Abdominal CT with intravenous contrast, arterial phase, axial plane, 100 kVp, kernel SOFT. Slice 193/383 from the bottom of the scan; thickness 1.25 mm; pixel size 0.898 mm.
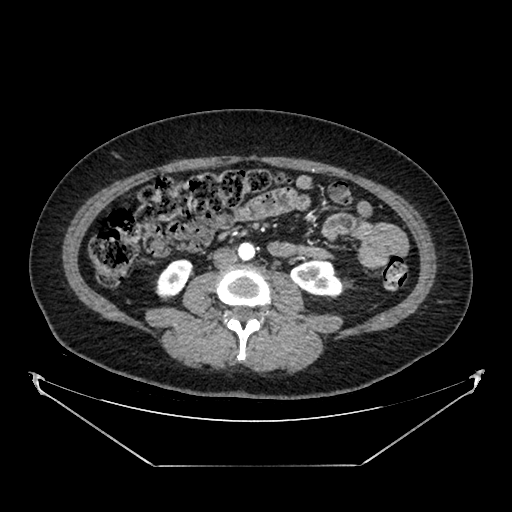
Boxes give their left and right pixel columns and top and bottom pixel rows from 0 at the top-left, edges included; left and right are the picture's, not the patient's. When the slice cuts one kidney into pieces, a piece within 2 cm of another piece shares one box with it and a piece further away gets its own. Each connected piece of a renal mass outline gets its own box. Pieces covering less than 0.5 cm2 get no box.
Two kidney boxes on this slice; by box centre, from the image's left to its right: (1) Box with left 155, top 259, right 192, bottom 299: right kidney (outlined area 1,034 px, about 8.3 cm2). (2) Left kidney in the box with left 290, top 260, right 341, bottom 297 (outlined area 1,441 px, about 11.6 cm2). No renal mass outline on this slice.